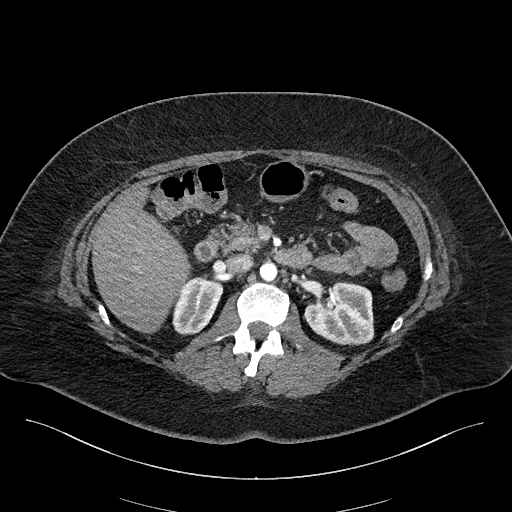
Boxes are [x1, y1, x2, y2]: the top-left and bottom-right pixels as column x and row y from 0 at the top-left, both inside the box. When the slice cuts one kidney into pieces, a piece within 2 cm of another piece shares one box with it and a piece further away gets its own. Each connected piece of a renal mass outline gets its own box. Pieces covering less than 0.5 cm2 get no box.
This is axial slice 117 of 270 (slice 1 is the lowest) of an arterial-phase abdominal CT with contrast; each pixel is 0.855 mm and the slice is 2.00 mm thick. Boxed on this slice (two kidney boxes), listed by box centre from the image's left to its right: (1) Right kidney, box [172, 277, 223, 335] (outlined area 2,135 px, about 15.6 cm2). (2) Left kidney at [303, 282, 374, 345] (outlined area 3,476 px, about 25.4 cm2). No renal mass is outlined on this slice.
Scan settings: 100 kVp, I40f reconstruction kernel.